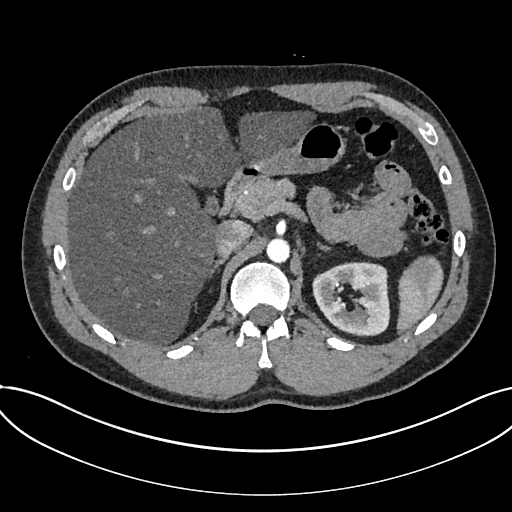
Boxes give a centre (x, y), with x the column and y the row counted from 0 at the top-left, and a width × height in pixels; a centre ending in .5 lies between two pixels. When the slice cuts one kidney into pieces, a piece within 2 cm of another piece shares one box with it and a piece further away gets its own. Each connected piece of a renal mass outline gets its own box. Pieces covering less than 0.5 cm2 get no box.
Slice 511/735 of a contrast-enhanced abdominal CT in the arterial phase, counting up from the lowest; pixel size 0.789 mm, slice thickness 1.00 mm. Kidney, box centre (351, 299), 79 × 75 pixels (outlined area 4,494 px, about 28.0 cm2). No renal mass outline on this slice.
Acquired at 120 kVp and reconstructed with the I30f kernel.